Axial slice 628 of 834 of a contrast-enhanced abdominal CT (slice 1 is the lowest), 140 kVp, kernel I30f; 1.00 mm slice thickness and 0.977 mm pixels.
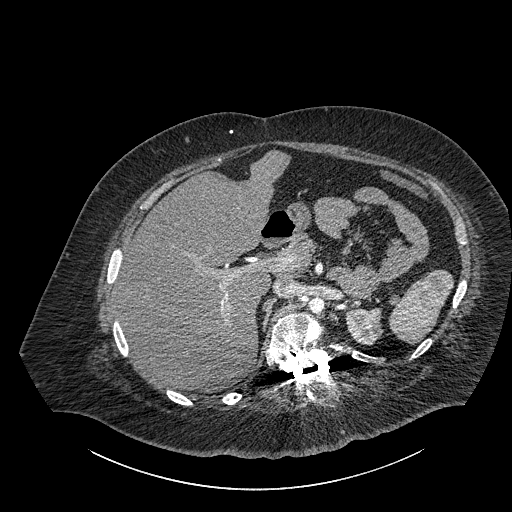
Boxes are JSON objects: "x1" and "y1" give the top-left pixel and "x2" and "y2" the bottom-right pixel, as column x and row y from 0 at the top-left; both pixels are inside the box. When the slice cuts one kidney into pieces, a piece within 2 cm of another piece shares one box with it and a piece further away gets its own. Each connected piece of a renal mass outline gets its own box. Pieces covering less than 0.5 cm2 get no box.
Left part of the midline-crossing kidney at {"x1": 345, "y1": 308, "x2": 383, "y2": 345} (outlined area 1,144 px, about 10.9 cm2). No renal mass outline on this slice.